Abdominal CT with intravenous contrast, axial plane, 120 kVp, kernel B31f. Slice 62/113 from the bottom of the scan; thickness 2.00 mm; pixel size 0.742 mm.
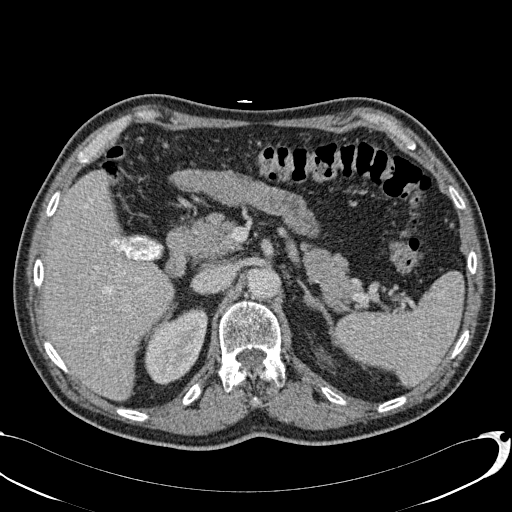
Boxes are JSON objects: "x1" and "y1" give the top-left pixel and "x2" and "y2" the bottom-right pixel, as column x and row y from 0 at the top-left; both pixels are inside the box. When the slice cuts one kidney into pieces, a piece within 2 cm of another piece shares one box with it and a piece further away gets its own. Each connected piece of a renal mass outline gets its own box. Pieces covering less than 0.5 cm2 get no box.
Two kidney boxes on this slice; by box centre, from the image's left to its right: (1) Right kidney, box {"x1": 144, "y1": 307, "x2": 208, "y2": 385} (outlined area 3,410 px, about 18.8 cm2). (2) Left kidney, box {"x1": 319, "y1": 347, "x2": 332, "y2": 364} (outlined area 97 px, about 0.5 cm2). No renal mass outline on this slice.